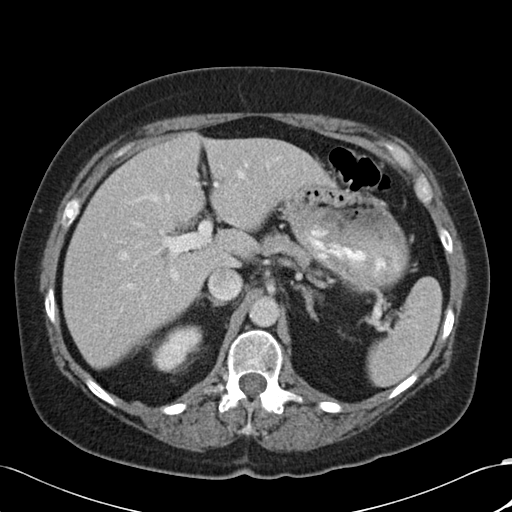
Arterial-phase contrast-enhanced abdominal CT, axial slice 71 of 88 (counted from the lowest slice); tube voltage 120 kVp, convolution kernel B30f; slices 5.00 mm thick, 0.691 mm per pixel.
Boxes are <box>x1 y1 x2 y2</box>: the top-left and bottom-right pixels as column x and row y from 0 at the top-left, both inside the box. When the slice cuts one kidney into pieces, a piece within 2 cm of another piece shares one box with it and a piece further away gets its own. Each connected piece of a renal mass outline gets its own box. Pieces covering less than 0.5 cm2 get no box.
Right kidney: <box>152 324 202 372</box> (outlined area 1,616 px, about 7.7 cm2). No renal mass is outlined on this slice.